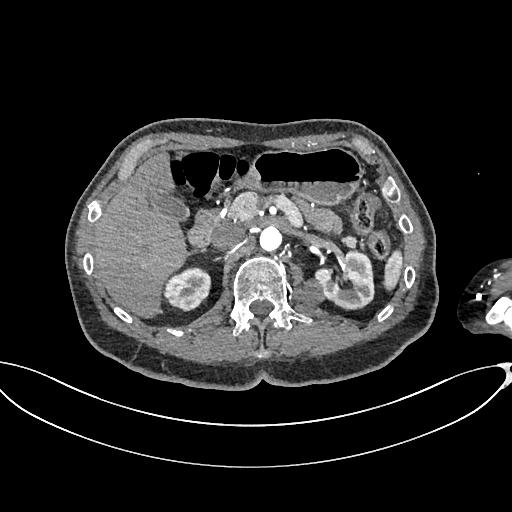
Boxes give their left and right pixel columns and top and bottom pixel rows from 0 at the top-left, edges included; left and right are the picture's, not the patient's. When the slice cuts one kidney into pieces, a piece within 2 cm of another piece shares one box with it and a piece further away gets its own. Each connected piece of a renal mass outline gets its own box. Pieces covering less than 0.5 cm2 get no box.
Slice 442/665 of a contrast-enhanced abdominal CT in the arterial phase, counting up from the lowest; pixel size 0.828 mm, slice thickness 1.00 mm. Two kidney boxes and one renal mass box on this slice; by box centre, from the image's left to its right: (1) Right kidney in the box with left 163, top 268, right 211, bottom 311 (outlined area 1,583 px, about 10.9 cm2). (2) Left renal mass in the box with left 291, top 278, right 324, bottom 305 (outlined area 644 px, about 4.4 cm2). (3) Left kidney in the box with left 314, top 251, right 373, bottom 307 (outlined area 2,412 px, about 16.5 cm2).
Scan settings: 100 kVp, I26f reconstruction kernel.